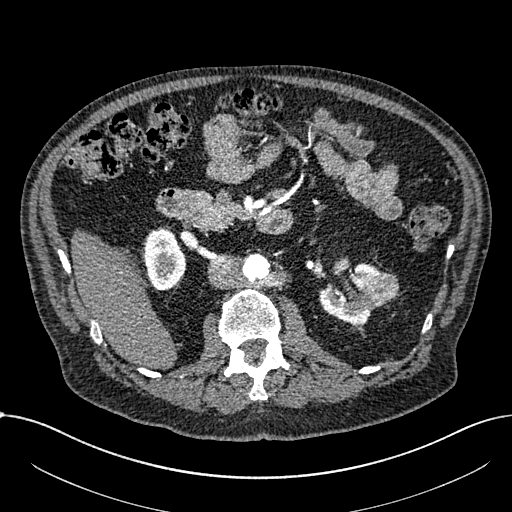
One axial slice (405 of 1059, counting up from the lowest) of an arterial-phase abdominal CT acquired with 100 kVp, kernel I30f; each pixel is 0.811 mm and the slice is 1.00 mm thick.
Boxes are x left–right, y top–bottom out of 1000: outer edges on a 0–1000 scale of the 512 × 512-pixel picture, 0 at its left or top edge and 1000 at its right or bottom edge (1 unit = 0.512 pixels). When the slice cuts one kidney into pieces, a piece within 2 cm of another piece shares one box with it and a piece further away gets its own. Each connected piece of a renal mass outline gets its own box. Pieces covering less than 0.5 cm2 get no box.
Two kidney boxes and one renal mass box on this slice; by box centre, from the image's left to its right: (1) Box x 283–365, y 445–568 out of 1000: right part of the midline-crossing kidney (outlined area 2,011 px, about 13.2 cm2). (2) Left part of the midline-crossing kidney at x 623–746, y 514–641 out of 1000 (outlined area 2,292 px, about 15.1 cm2). (3) Box x 713–779, y 531–602 out of 1000: renal mass (outlined area 842 px, about 5.5 cm2).